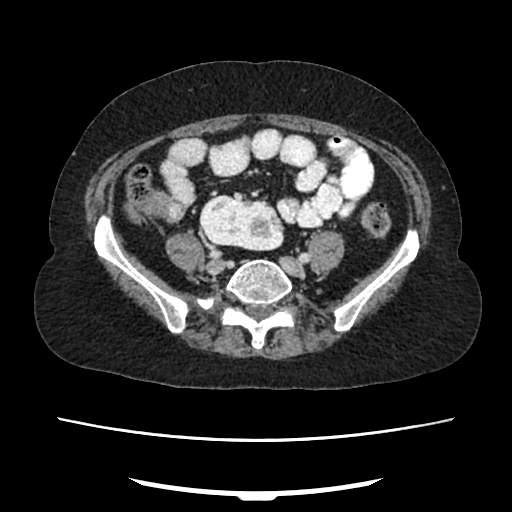
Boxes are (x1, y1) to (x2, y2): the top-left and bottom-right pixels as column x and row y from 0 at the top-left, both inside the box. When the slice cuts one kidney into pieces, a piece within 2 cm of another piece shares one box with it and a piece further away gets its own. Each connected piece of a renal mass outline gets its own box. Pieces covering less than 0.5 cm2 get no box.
Arterial-phase contrast-enhanced abdominal CT, axial slice 85 of 207 (counted from the lowest slice); 2.00 mm thick, 0.741 mm per pixel. Box (199, 194) to (284, 250): right kidney (outlined area 3,824 px, about 21.0 cm2). This slice carries no renal mass outline.
Scan settings: 120 kVp, FC18 reconstruction kernel.